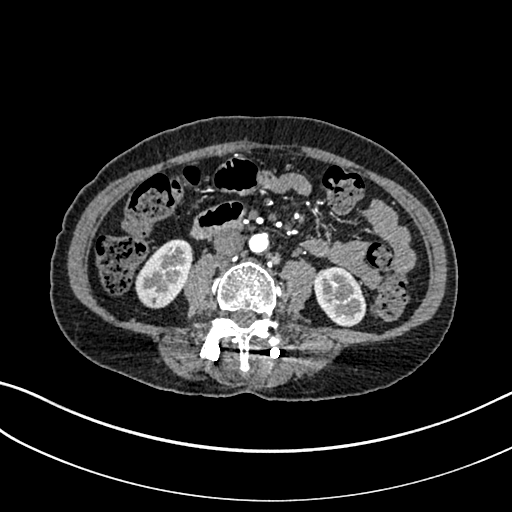
One axial slice (82 of 325, counting up from the lowest) of an arterial-phase abdominal CT acquired with 100 kVp, kernel I30f; each pixel is 0.703 mm and the slice is 1.00 mm thick.
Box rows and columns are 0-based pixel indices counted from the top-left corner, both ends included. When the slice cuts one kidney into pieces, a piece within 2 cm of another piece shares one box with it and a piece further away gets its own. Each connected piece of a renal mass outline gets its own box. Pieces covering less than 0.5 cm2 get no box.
Boxed on this slice (two kidney boxes), listed by box centre from the image's left to its right: (1) Right kidney at rows 239–308, columns 135–193 (outlined area 2,812 px, about 13.9 cm2). (2) Left kidney at rows 266–327, columns 313–366 (outlined area 2,413 px, about 11.9 cm2). This slice carries no renal mass outline.